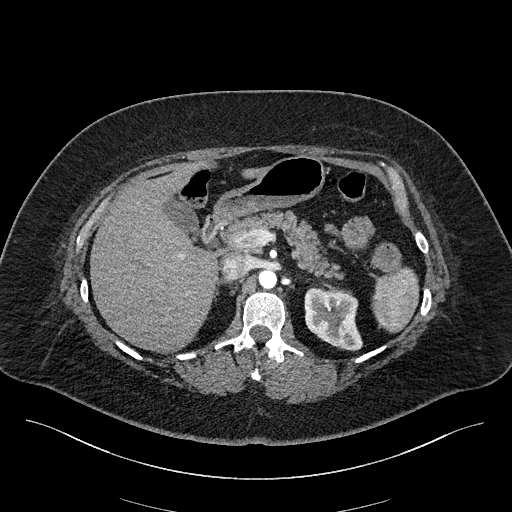
Arterial-phase contrast-enhanced abdominal CT, axial slice 142 of 270 (counted from the lowest slice); tube voltage 100 kVp, convolution kernel I40f; slices 2.00 mm thick, 0.855 mm per pixel.
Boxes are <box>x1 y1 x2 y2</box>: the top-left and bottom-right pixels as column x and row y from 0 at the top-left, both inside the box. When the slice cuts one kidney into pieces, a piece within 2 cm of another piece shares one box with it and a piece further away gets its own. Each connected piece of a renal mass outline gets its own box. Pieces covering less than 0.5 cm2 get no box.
At <box>304 287 362 351</box>: left kidney (outlined area 2,796 px, about 20.5 cm2). No renal mass outline on this slice.